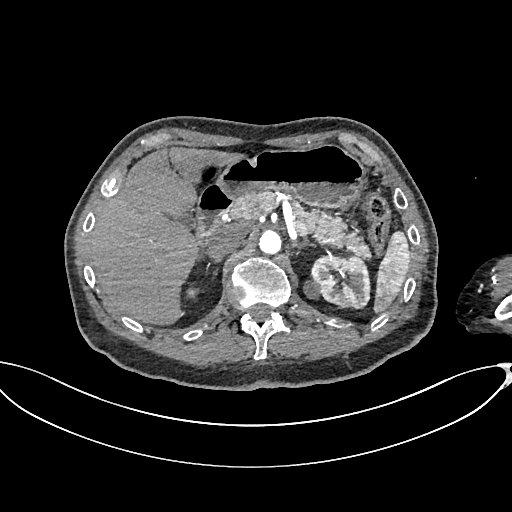
One axial slice (463 of 665, counting up from the lowest) of an arterial-phase abdominal CT acquired with 100 kVp, kernel I26f; each pixel is 0.828 mm and the slice is 1.00 mm thick.
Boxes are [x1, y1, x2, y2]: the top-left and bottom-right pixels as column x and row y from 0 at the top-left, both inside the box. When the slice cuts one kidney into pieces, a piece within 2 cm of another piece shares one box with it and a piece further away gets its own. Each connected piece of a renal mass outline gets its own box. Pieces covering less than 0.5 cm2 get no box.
Two kidney boxes and one renal mass box on this slice; by box centre, from the image's left to its right: (1) Box [186, 287, 199, 298]: right kidney (outlined area 130 px, about 0.9 cm2). (2) Box [303, 279, 321, 298]: left renal mass (outlined area 269 px, about 1.8 cm2). (3) Box [311, 254, 370, 308]: left kidney (outlined area 2,552 px, about 17.5 cm2).